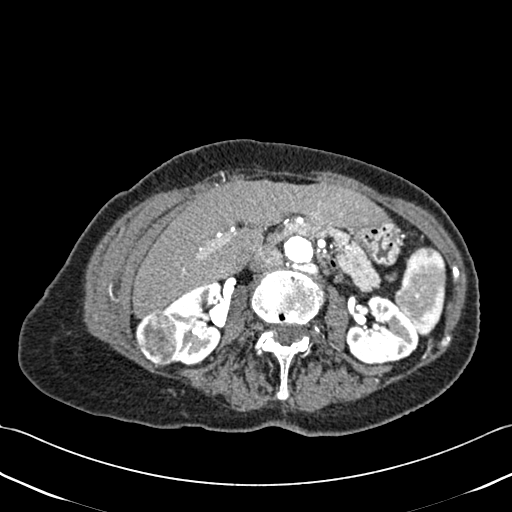
One axial slice (240 of 433, counting up from the lowest) of a contrast-enhanced abdominal CT acquired with 120 kVp, kernel B30f; each pixel is 0.672 mm and the slice is 1.00 mm thick.
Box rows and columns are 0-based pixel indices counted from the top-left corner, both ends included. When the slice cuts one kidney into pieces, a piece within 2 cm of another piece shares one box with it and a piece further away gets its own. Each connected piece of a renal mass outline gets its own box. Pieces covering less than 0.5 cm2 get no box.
Two kidney boxes and one renal mass box on this slice; by box centre, from the image's left to its right: (1) Right renal mass at rows 311–367, columns 135–180 (outlined area 1,990 px, about 9.0 cm2). (2) Right kidney at rows 282–365, columns 162–222 (outlined area 3,320 px, about 15.0 cm2). (3) Left kidney at rows 294–365, columns 345–419 (outlined area 3,651 px, about 16.5 cm2).